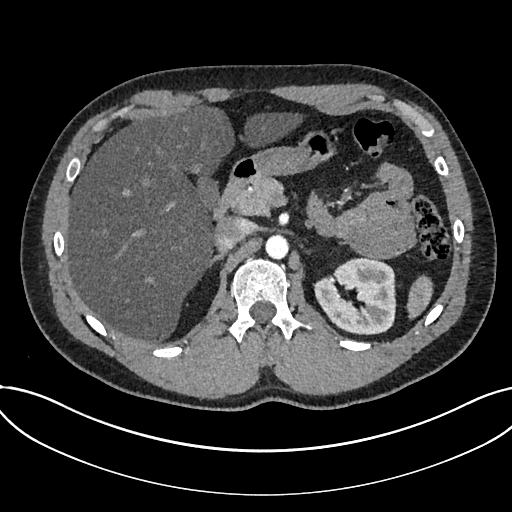
Arterial-phase contrast-enhanced abdominal CT, axial slice 495 of 735 (counted from the lowest slice); tube voltage 120 kVp, convolution kernel I30f; slices 1.00 mm thick, 0.789 mm per pixel.
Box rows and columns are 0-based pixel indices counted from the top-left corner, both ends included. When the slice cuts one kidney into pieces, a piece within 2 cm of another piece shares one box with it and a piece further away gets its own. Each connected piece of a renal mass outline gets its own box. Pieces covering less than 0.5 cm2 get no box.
Kidney at rows 257–335, columns 313–396 (outlined area 4,804 px, about 29.9 cm2). No renal mass outline on this slice.